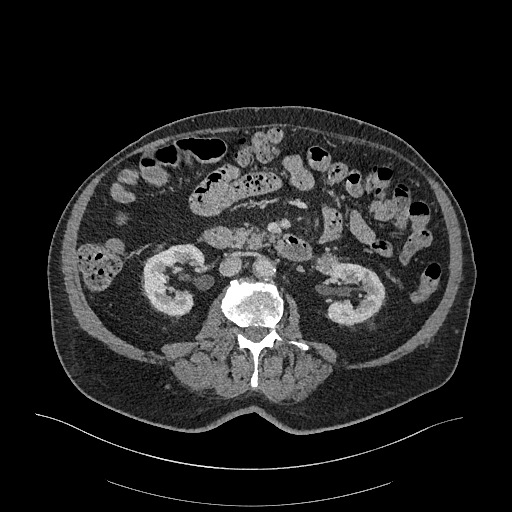
Arterial-phase contrast-enhanced abdominal CT, axial slice 133 of 470 (counted from the lowest slice); tube voltage 120 kVp, convolution kernel I26f; slices 1.00 mm thick, 0.938 mm per pixel.
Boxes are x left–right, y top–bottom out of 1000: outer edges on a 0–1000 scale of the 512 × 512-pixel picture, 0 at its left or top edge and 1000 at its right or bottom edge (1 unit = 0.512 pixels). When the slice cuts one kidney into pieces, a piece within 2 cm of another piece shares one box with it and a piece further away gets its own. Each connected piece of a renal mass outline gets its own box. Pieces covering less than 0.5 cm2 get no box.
Two kidney boxes and one renal mass box on this slice; by box centre, from the image's left to its right: (1) Box x 277–402, y 475–623 out of 1000: right kidney (outlined area 3,164 px, about 27.8 cm2). (2) Box x 607–662, y 496–539 out of 1000: left renal mass (outlined area 434 px, about 3.8 cm2). (3) Box x 619–754, y 512–637 out of 1000: left kidney (outlined area 2,905 px, about 25.5 cm2).